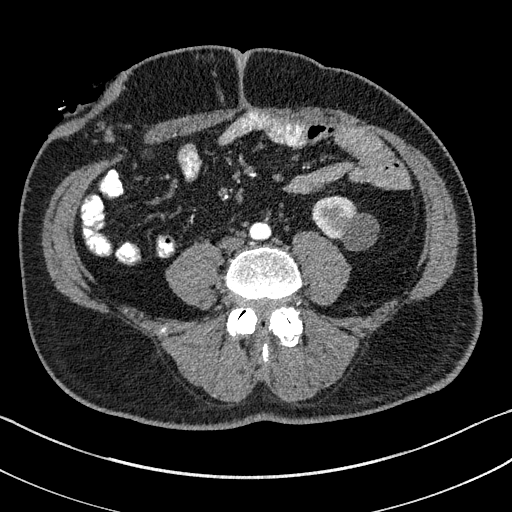
Axial slice 32 of 195 of a contrast-enhanced abdominal CT in the arterial phase (slice 1 is the lowest), 100 kVp, kernel I31f; 1.50 mm slice thickness and 0.707 mm pixels.
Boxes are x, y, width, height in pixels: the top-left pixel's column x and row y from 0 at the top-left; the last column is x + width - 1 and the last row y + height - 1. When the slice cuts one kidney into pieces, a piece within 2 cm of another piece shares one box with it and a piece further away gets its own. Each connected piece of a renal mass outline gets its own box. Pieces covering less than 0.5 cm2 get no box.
Left kidney at x 312, y 196, width 66, height 54 (outlined area 2,291 px, about 11.5 cm2). No renal mass is outlined on this slice.